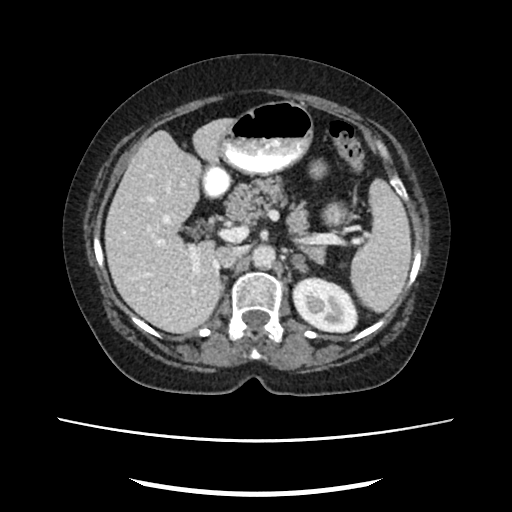
Abdominal CT with intravenous contrast, arterial phase, axial plane, 120 kVp, kernel FC18. Slice 154/207 from the bottom of the scan; thickness 2.00 mm; pixel size 0.741 mm.
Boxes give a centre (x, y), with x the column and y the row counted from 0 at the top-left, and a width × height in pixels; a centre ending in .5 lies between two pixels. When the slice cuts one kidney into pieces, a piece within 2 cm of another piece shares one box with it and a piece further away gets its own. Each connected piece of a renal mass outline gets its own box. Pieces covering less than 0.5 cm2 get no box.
Left kidney, box centre (325, 304.5), 67 × 58 pixels (outlined area 2,863 px, about 15.7 cm2). No renal mass is outlined on this slice.